One axial slice (380 of 538, counting up from the lowest) of an arterial-phase abdominal CT acquired with 120 kVp, kernel B30f; each pixel is 0.811 mm and the slice is 1.00 mm thick.
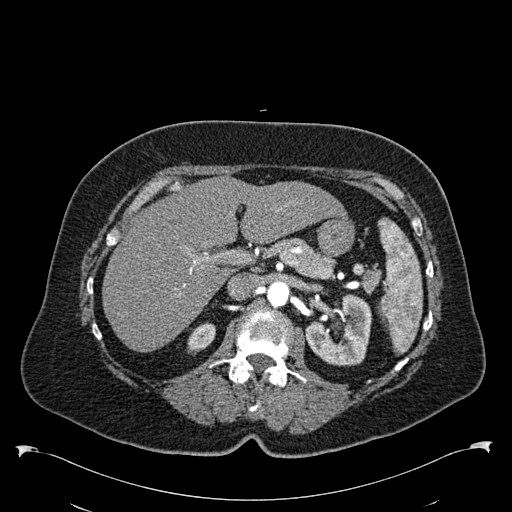
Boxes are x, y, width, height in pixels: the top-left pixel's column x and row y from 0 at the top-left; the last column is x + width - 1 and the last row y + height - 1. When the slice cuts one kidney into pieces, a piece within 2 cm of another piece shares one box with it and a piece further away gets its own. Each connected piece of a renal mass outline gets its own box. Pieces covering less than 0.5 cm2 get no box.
Two kidney boxes on this slice; by box centre, from the image's left to its right: (1) Box x 187, y 322, width 29, height 34: right kidney (outlined area 643 px, about 4.2 cm2). (2) Box x 304, y 294, width 69, height 73: left kidney (outlined area 3,390 px, about 22.3 cm2). This slice carries no renal mass outline.